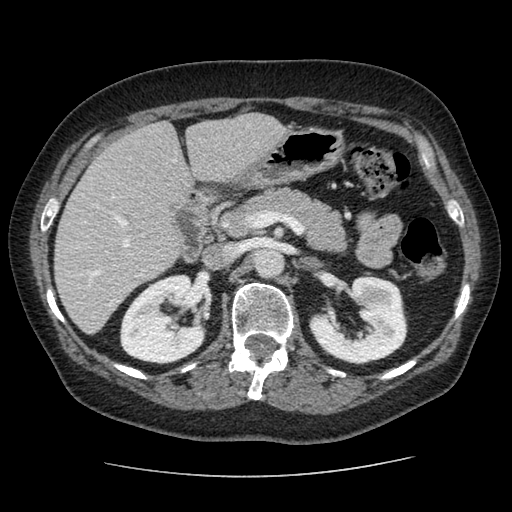
Arterial-phase contrast-enhanced abdominal CT, axial slice 58 of 96 (counted from the lowest slice); tube voltage 120 kVp, convolution kernel STANDARD; slices 2.50 mm thick, 0.689 mm per pixel.
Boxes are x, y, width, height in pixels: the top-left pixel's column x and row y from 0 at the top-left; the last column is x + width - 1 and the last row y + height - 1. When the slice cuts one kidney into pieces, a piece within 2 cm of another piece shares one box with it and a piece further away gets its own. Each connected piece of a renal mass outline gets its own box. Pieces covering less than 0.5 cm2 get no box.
Two boxes on this slice (two kidney boxes), listed by box centre from the image's left to its right. (1) Right kidney, box x 119, y 274, width 87, height 91 (outlined area 5,802 px, about 27.6 cm2). (2) Box x 309, y 275, width 99, height 89: left kidney (outlined area 5,744 px, about 27.3 cm2). This slice carries no renal mass outline.